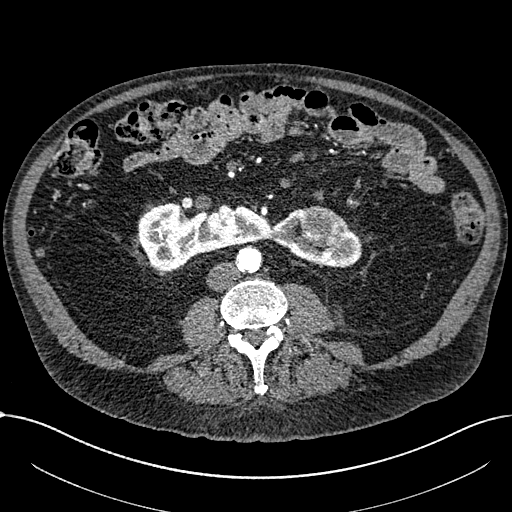
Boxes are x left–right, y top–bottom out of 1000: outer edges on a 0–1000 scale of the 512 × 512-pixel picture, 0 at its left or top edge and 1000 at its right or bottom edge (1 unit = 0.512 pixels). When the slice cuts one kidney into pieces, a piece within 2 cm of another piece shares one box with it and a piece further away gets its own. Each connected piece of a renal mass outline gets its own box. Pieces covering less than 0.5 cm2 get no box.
Arterial-phase contrast-enhanced abdominal CT, axial slice 305 of 1059 (counted from the lowest slice); 1.00 mm thick, 0.811 mm per pixel. Boxed on this slice (one kidney box and one renal mass box), listed by box centre from the image's left to its right: (1) Box x 270–709, y 396–531 out of 1000: kidney crossing the body midline (outlined area 8,522 px, about 56.0 cm2). (2) Renal mass, box x 586–678, y 400–482 out of 1000 (outlined area 1,495 px, about 9.8 cm2).
Tube voltage 100 kVp; convolution kernel I30f.